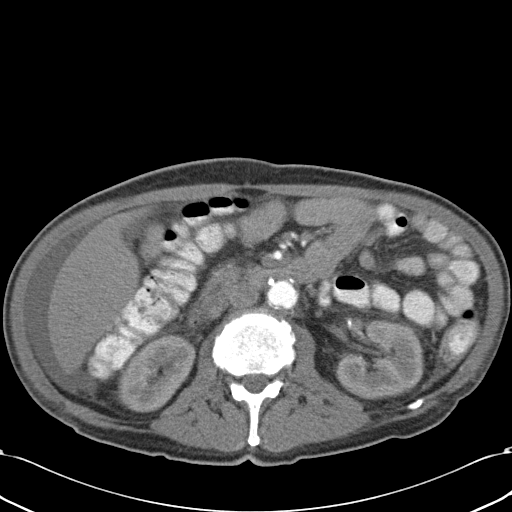
Axial slice 11 of 43 of a contrast-enhanced abdominal CT (slice 1 is the lowest), 120 kVp, kernel B31f; 5.00 mm slice thickness and 0.701 mm pixels.
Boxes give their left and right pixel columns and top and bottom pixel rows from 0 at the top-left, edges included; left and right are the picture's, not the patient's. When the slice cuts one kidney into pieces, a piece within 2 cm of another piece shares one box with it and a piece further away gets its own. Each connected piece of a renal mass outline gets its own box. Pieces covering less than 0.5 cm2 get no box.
Boxed on this slice (two kidney boxes), listed by box centre from the image's left to its right: (1) Right kidney in the box with left 119, top 334, right 195, bottom 412 (outlined area 4,172 px, about 20.5 cm2). (2) Left kidney in the box with left 333, top 317, right 424, bottom 399 (outlined area 5,924 px, about 29.1 cm2). No renal mass outline on this slice.